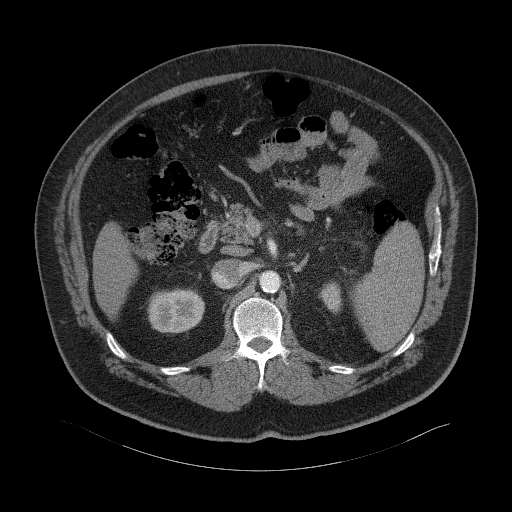
One axial slice (40 of 94, counting up from the lowest) of a contrast-enhanced abdominal CT acquired with 120 kVp, kernel B41f; each pixel is 0.977 mm and the slice is 3.00 mm thick.
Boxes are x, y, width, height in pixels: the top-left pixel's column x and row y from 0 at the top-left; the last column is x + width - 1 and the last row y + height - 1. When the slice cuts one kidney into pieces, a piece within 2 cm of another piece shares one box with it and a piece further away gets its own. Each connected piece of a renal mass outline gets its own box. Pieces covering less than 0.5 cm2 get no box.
Two kidney boxes on this slice; by box centre, from the image's left to its right: (1) Right kidney, box x 147, y 288, width 58, height 46 (outlined area 2,162 px, about 20.6 cm2). (2) Left kidney at x 318, y 281, width 25, height 34 (outlined area 549 px, about 5.2 cm2). This slice carries no renal mass outline.